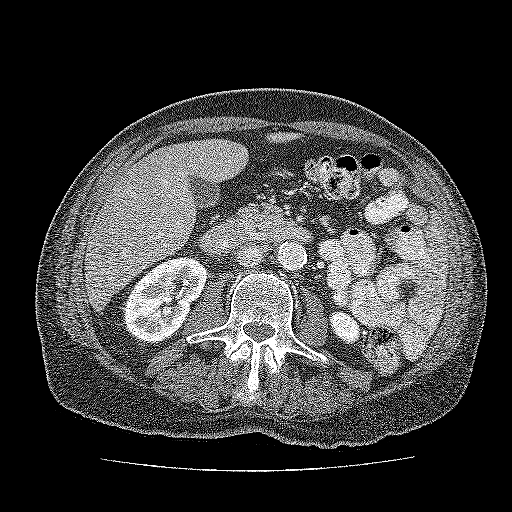
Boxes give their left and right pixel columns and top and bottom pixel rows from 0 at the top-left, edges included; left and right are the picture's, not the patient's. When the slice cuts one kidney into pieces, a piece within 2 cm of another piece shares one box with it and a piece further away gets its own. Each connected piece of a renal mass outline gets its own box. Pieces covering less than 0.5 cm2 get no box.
This is axial slice 87 of 137 (slice 1 is the lowest) of an abdominal CT with contrast; each pixel is 0.741 mm and the slice is 3.00 mm thick. Two kidney boxes on this slice; by box centre, from the image's left to its right: (1) Box with left 121, top 257, right 207, bottom 344: kidney (outlined area 5,205 px, about 28.6 cm2). (2) Box with left 330, top 310, right 362, bottom 344: kidney (outlined area 824 px, about 4.5 cm2). No renal mass outline on this slice.
Acquired at 120 kVp and reconstructed with the FC52 kernel.